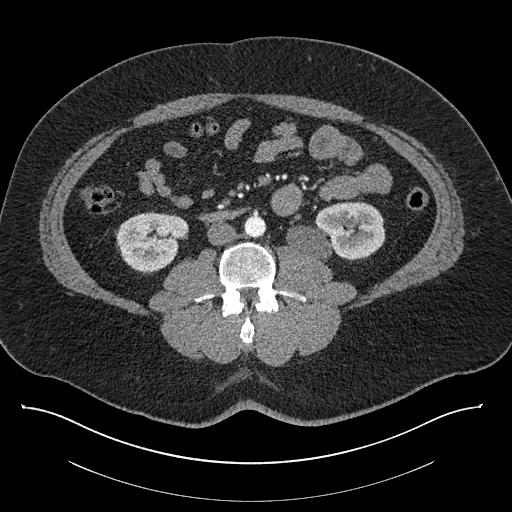
Axial slice 409 of 787 of a contrast-enhanced abdominal CT (slice 1 is the lowest), 140 kVp, kernel I30f; 1.00 mm slice thickness and 0.910 mm pixels.
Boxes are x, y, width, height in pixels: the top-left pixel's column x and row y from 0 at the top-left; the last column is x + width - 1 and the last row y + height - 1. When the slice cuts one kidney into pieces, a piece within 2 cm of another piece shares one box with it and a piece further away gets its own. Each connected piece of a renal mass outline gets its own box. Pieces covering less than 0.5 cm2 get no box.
Two boxes on this slice (two kidney boxes), listed by box centre from the image's left to its right. (1) Right kidney, box x 116, y 212, width 74, height 60 (outlined area 3,319 px, about 27.5 cm2). (2) Left kidney, box x 286, y 201, width 100, height 59 (outlined area 4,328 px, about 35.9 cm2). No renal mass outline on this slice.